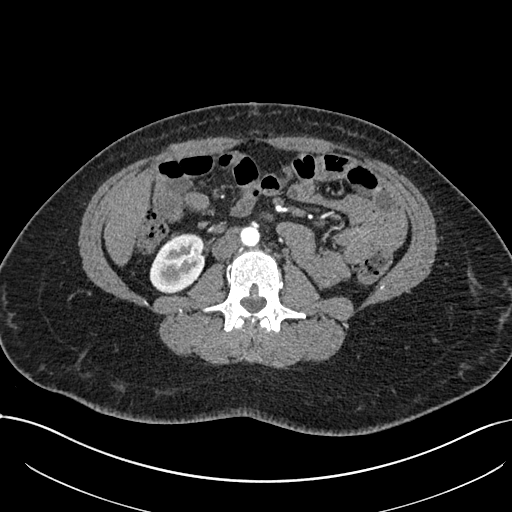
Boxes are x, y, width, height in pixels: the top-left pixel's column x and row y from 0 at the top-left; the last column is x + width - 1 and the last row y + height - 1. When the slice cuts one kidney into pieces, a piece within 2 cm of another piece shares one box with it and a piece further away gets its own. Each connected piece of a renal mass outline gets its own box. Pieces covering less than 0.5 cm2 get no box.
This is axial slice 343 of 738 (slice 1 is the lowest) of an arterial-phase abdominal CT with contrast; each pixel is 0.789 mm and the slice is 1.00 mm thick. Right kidney at x 149, y 233, width 56, height 60 (outlined area 2,507 px, about 15.6 cm2). No renal mass outline on this slice.
Acquired at 120 kVp and reconstructed with the I30f kernel.